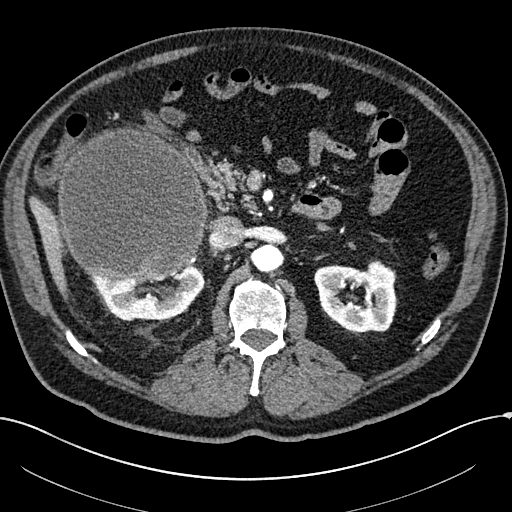
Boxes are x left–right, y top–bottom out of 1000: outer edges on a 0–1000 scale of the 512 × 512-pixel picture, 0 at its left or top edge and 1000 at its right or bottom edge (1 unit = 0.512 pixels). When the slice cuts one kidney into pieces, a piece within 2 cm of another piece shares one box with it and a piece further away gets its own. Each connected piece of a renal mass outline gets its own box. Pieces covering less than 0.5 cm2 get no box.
This is axial slice 131 of 304 (slice 1 is the lowest) of an arterial-phase abdominal CT with contrast; each pixel is 0.809 mm and the slice is 2.00 mm thick. Three boxes on this slice (two kidney boxes and one renal mass box), listed by box centre from the image's left to its right. (1) Right renal mass, box x 111–408, y 246–553 out of 1000 (outlined area 18,754 px, about 122.6 cm2). (2) Right kidney, box x 178–402, y 510–629 out of 1000 (outlined area 3,748 px, about 24.5 cm2). (3) Left kidney, box x 613–777, y 508–656 out of 1000 (outlined area 4,584 px, about 30.0 cm2).
Acquired at 100 kVp and reconstructed with the I30f kernel.